Abdominal CT with intravenous contrast, axial plane, 100 kVp, kernel I40f. Slice 60/80 from the bottom of the scan; thickness 5.00 mm; pixel size 0.703 mm.
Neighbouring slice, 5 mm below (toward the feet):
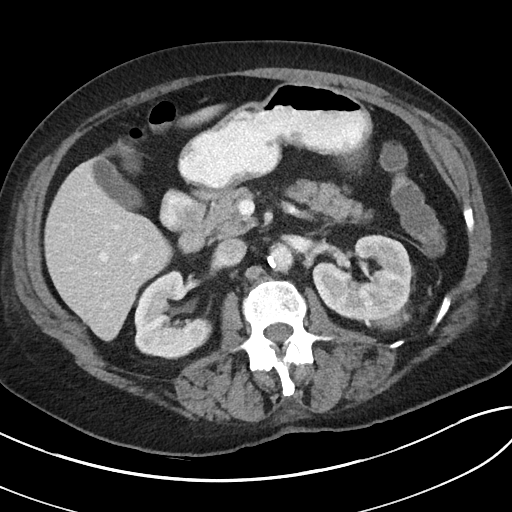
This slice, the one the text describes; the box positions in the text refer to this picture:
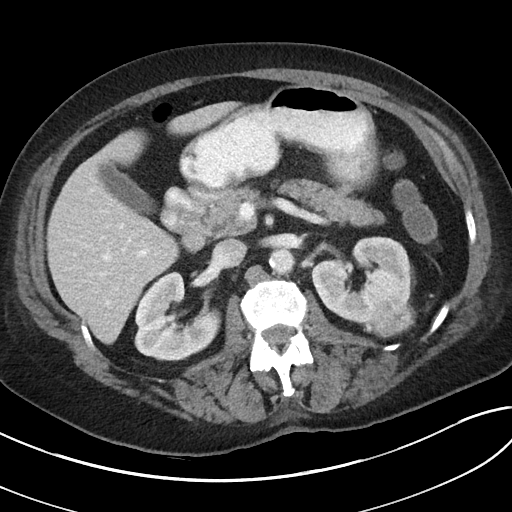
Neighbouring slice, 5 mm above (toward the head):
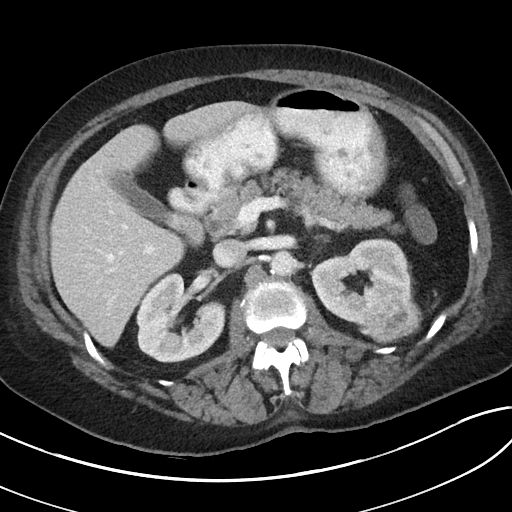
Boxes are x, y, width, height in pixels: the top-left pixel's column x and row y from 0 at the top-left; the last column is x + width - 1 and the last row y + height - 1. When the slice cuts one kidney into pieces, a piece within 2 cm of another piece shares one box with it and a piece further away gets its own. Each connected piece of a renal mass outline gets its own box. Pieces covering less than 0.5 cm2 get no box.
Three boxes on this slice (two kidney boxes and one renal mass box), listed by box centre from the image's left to its right. (1) Right kidney, box x 134, y 271, width 87, height 91 (outlined area 5,065 px, about 25.0 cm2). (2) Left kidney, box x 311, y 237, width 100, height 92 (outlined area 5,897 px, about 29.2 cm2). (3) Left renal mass at x 373, y 300, width 41, height 37 (outlined area 1,163 px, about 5.7 cm2). This slice is near the end of the left renal mass toward the feet, so the slices 5 mm below and 5 mm above it are shown as well; the boxes refer to this slice only.